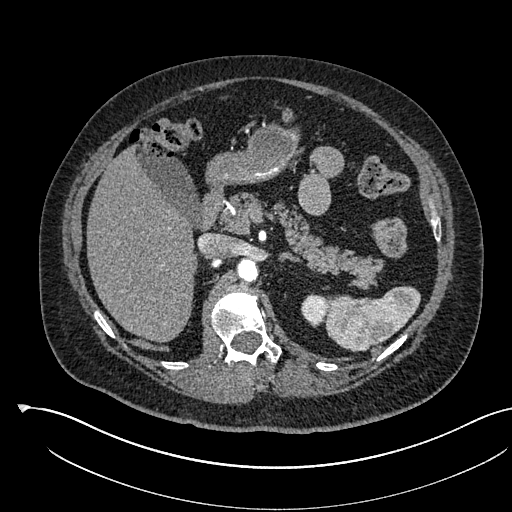
One axial slice (383 of 541, counting up from the lowest) of an arterial-phase abdominal CT acquired with 120 kVp, kernel I30f; each pixel is 0.834 mm and the slice is 1.00 mm thick.
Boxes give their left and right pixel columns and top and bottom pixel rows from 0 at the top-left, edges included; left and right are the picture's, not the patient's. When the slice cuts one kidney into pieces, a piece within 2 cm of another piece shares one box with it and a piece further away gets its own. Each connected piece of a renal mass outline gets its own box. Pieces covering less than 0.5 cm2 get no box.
Box with left 301, top 293, right 327, bottom 327: left kidney (outlined area 677 px, about 4.7 cm2). No renal mass outline on this slice.